One axial slice (403 of 626, counting up from the lowest) of an arterial-phase abdominal CT acquired with 120 kVp, kernel I30f; each pixel is 0.703 mm and the slice is 1.00 mm thick.
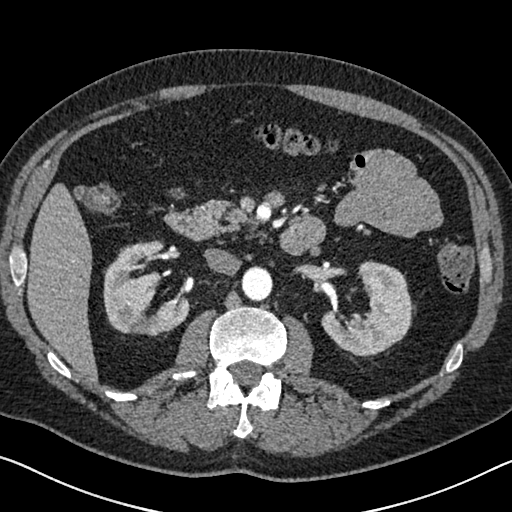
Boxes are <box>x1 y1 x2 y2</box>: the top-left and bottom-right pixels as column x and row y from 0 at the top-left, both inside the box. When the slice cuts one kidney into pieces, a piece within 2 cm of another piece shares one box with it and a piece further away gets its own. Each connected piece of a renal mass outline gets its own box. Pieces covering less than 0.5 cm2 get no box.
Two boxes on this slice (two kidney boxes), listed by box centre from the image's left to its right. (1) At <box>103 240 189 336</box>: right kidney (outlined area 5,417 px, about 26.8 cm2). (2) At <box>321 260 414 356</box>: left kidney (outlined area 5,313 px, about 26.3 cm2). No renal mass is outlined on this slice.